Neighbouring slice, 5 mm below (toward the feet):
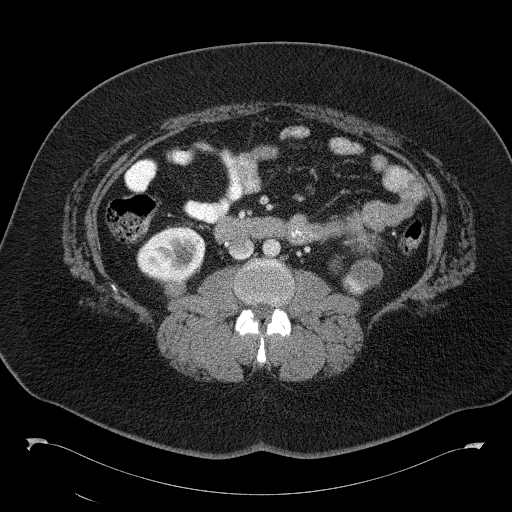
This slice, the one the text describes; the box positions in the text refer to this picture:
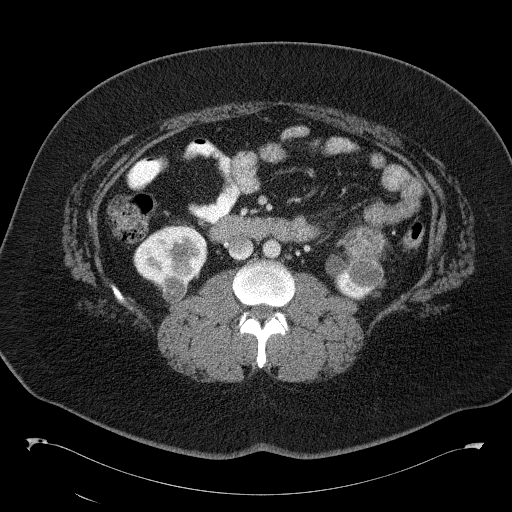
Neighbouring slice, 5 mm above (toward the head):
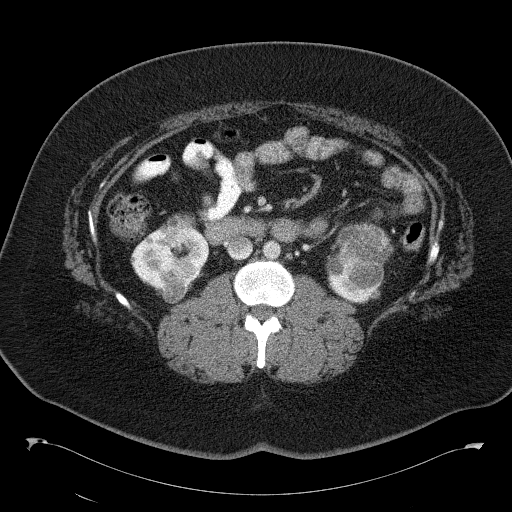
Contrast-enhanced abdominal CT, axial slice 70 of 146 (counted from the lowest slice); tube voltage 120 kVp, convolution kernel B41f; slices 5.00 mm thick, 0.840 mm per pixel.
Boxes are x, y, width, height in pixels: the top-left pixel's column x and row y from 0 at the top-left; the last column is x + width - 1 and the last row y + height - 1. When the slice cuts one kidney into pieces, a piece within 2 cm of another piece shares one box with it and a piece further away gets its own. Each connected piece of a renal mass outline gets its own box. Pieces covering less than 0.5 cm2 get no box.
Two kidney boxes and two renal mass boxes on this slice; by box centre, from the image's left to its right: (1) Box x 133, y 226, width 75, height 60: kidney (outlined area 3,248 px, about 22.9 cm2). (2) Renal mass, box x 161, y 275, width 27, height 29 (outlined area 621 px, about 4.4 cm2). (3) Box x 326, y 254, width 58, height 45: kidney (outlined area 1,772 px, about 12.5 cm2). (4) Renal mass at x 344, y 225, width 44, height 35 (outlined area 1,197 px, about 8.4 cm2). This slice is near the end of a renal mass toward the feet, so the slices 5 mm below and 5 mm above it are shown as well; the boxes refer to this slice only.